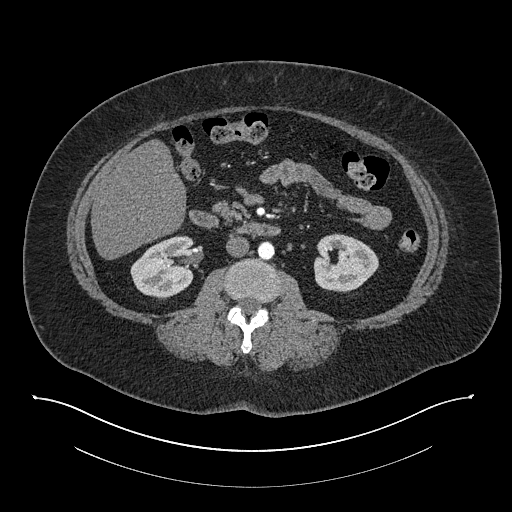
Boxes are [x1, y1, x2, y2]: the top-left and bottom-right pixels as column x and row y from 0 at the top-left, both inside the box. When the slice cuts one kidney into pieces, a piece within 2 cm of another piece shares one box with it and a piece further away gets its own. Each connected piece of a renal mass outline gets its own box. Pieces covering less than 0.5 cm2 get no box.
Arterial-phase contrast-enhanced abdominal CT, axial slice 425 of 673 (counted from the lowest slice); 1.00 mm thick, 0.957 mm per pixel. Two boxes on this slice (two kidney boxes), listed by box centre from the image's left to its right. (1) Box [130, 235, 194, 299]: right kidney (outlined area 3,066 px, about 28.1 cm2). (2) Left kidney, box [313, 233, 378, 292] (outlined area 2,903 px, about 26.6 cm2). No renal mass outline on this slice.
Scan settings: 140 kVp, I30f reconstruction kernel.